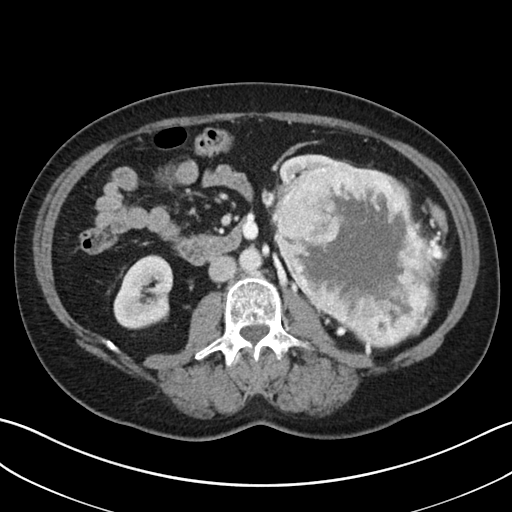
One axial slice (12 of 38, counting up from the lowest) of a contrast-enhanced abdominal CT acquired with 100 kVp, kernel I30f; each pixel is 0.730 mm and the slice is 5.00 mm thick.
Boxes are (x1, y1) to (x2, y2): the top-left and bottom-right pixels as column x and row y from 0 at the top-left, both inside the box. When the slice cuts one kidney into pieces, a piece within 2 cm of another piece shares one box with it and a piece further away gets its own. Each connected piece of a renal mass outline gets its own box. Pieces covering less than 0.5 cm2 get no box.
Two kidney boxes and one renal mass box on this slice; by box centre, from the image's left to its right: (1) Box (113, 254) to (173, 329): right kidney (outlined area 3,442 px, about 18.4 cm2). (2) Left kidney from (275, 154) to (346, 187) (outlined area 965 px, about 5.1 cm2). (3) Box (271, 162) to (440, 348): left renal mass (outlined area 22,330 px, about 119.1 cm2).